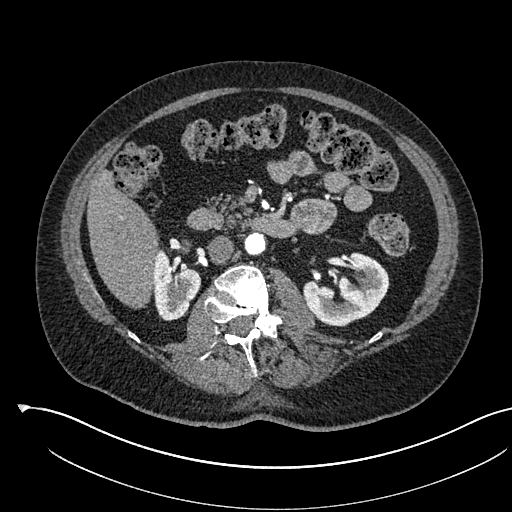
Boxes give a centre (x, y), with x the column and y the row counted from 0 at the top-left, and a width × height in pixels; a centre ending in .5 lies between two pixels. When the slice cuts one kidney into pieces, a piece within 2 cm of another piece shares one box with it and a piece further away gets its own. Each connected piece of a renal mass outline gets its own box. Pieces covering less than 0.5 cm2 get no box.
Slice 313/541 of a contrast-enhanced abdominal CT in the arterial phase, counting up from the lowest; pixel size 0.834 mm, slice thickness 1.00 mm. Two kidney boxes on this slice; by box centre, from the image's left to its right: (1) Right kidney, box centre (176, 284.5), 49 × 74 pixels (outlined area 2,521 px, about 17.5 cm2). (2) Left kidney, box centre (346, 289), 87 × 75 pixels (outlined area 4,165 px, about 29.0 cm2). This slice carries no renal mass outline.
Tube voltage 120 kVp; convolution kernel I30f.